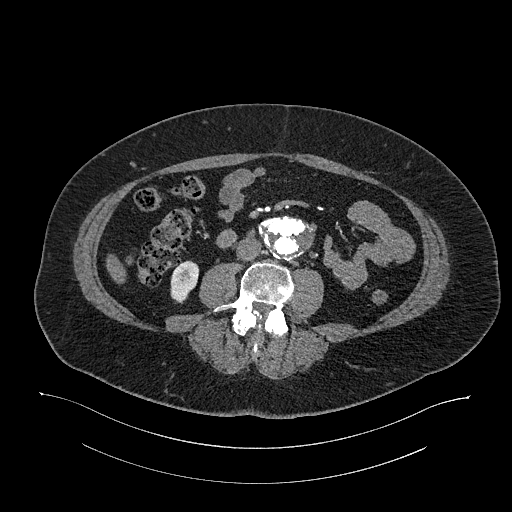
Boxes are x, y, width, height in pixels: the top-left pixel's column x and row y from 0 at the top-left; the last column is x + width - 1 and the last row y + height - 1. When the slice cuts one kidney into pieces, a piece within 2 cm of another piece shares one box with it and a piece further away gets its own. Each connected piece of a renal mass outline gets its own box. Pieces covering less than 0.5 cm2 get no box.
Slice 538/987 of a contrast-enhanced abdominal CT in the arterial phase, counting up from the lowest; pixel size 0.977 mm, slice thickness 1.00 mm. Box x 170, y 260, width 30, height 44: right kidney (outlined area 913 px, about 8.7 cm2). No renal mass outline on this slice.
Tube voltage 120 kVp; convolution kernel I26f.